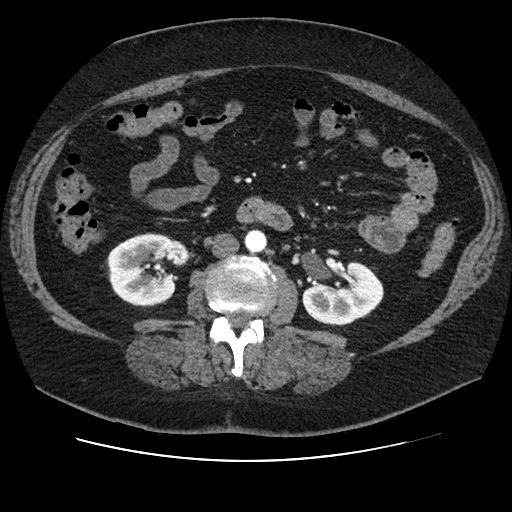
One axial slice (41 of 106, counting up from the lowest) of an arterial-phase abdominal CT acquired with 120 kVp, kernel STANDARD; each pixel is 0.742 mm and the slice is 2.50 mm thick.
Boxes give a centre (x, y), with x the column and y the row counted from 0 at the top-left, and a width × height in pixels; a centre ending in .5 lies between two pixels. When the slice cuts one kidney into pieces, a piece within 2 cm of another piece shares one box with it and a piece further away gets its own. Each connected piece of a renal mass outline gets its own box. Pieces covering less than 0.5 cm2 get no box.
Two boxes on this slice (two kidney boxes), listed by box centre from the image's left to its right. (1) Right kidney in a box with centre (145, 270), 79 × 75 pixels (outlined area 4,356 px, about 24.0 cm2). (2) Box centre (342.5, 293), 82 × 65 pixels: left kidney (outlined area 3,586 px, about 19.8 cm2). No renal mass outline on this slice.